One axial slice (149 of 301, counting up from the lowest) of a contrast-enhanced abdominal CT acquired with 120 kVp, kernel I40f; each pixel is 0.859 mm and the slice is 2.00 mm thick.
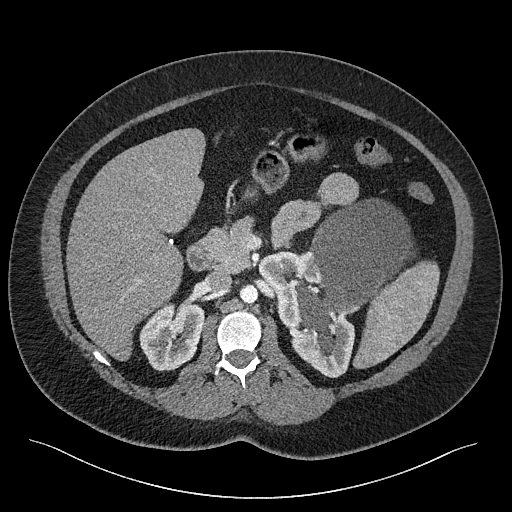
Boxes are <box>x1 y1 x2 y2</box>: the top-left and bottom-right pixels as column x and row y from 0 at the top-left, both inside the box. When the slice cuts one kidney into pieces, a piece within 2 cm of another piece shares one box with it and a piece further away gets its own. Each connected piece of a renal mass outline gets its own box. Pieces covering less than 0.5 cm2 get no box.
Boxed on this slice (two kidney boxes and one renal mass box), listed by box centre from the image's left to its right: (1) Right kidney at <box>139 300 204 371</box> (outlined area 3,433 px, about 25.4 cm2). (2) Left kidney: <box>258 251 354 377</box> (outlined area 5,216 px, about 38.5 cm2). (3) Left renal mass at <box>294 198 415 337</box> (outlined area 9,689 px, about 71.6 cm2).